Axial slice 579 of 735 of a contrast-enhanced abdominal CT in the arterial phase (slice 1 is the lowest), 120 kVp, kernel I30f; 1.00 mm slice thickness and 0.789 mm pixels.
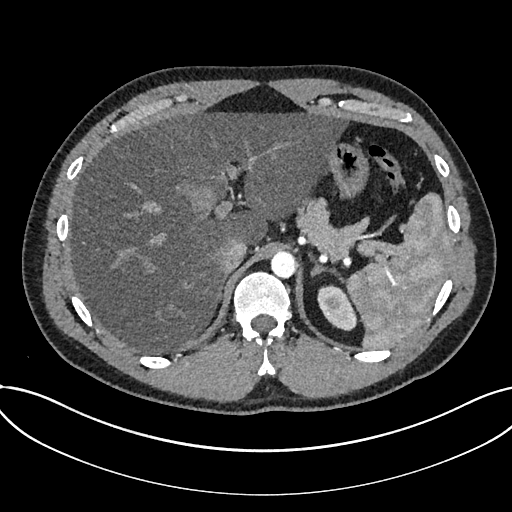
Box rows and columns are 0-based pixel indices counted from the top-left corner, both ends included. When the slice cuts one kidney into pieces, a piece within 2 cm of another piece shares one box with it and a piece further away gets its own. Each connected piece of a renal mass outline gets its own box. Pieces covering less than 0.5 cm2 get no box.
Kidney at rows 284–330, columns 317–357 (outlined area 1,280 px, about 8.0 cm2). No renal mass is outlined on this slice.